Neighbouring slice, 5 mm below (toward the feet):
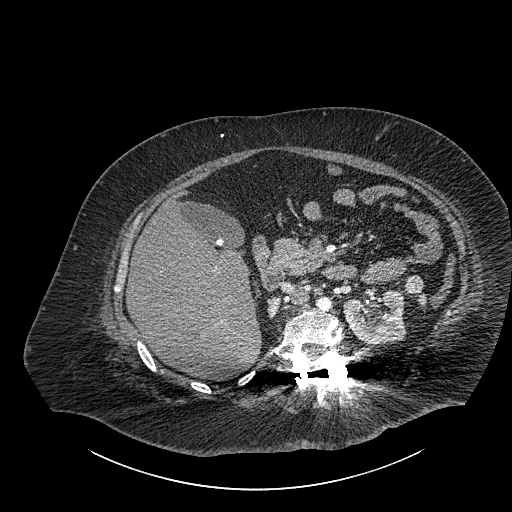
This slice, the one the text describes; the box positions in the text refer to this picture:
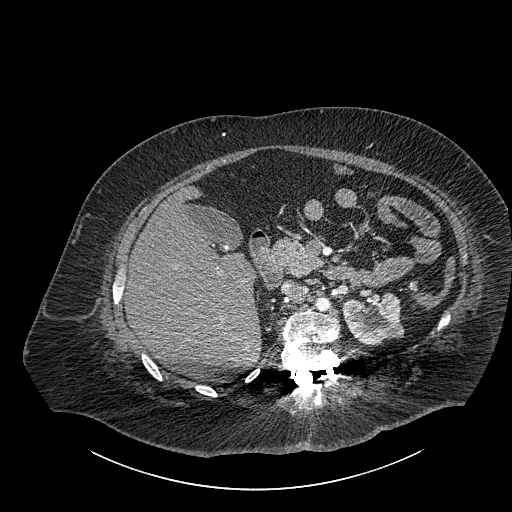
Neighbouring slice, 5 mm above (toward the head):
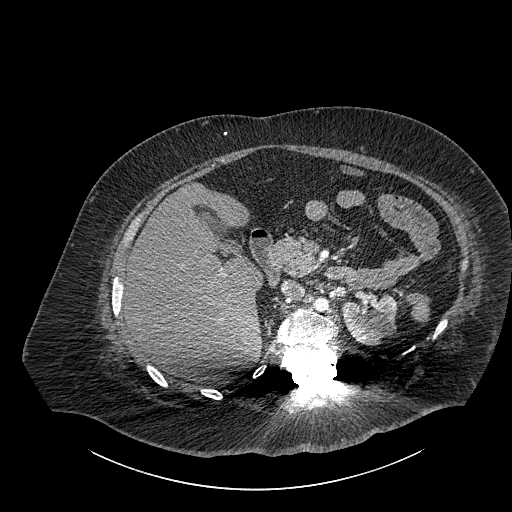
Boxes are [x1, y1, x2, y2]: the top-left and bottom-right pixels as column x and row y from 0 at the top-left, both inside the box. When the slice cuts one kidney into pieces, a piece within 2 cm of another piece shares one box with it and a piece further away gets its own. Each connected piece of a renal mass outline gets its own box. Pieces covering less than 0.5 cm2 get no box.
This is axial slice 583 of 834 (slice 1 is the lowest) of an abdominal CT with contrast; each pixel is 0.977 mm and the slice is 1.00 mm thick. One kidney box and one renal mass box on this slice; by box centre, from the image's left to its right: (1) Left part of the midline-crossing kidney at [342, 291, 403, 344] (outlined area 2,497 px, about 23.8 cm2). (2) Renal mass, box [411, 280, 417, 289] (outlined area 59 px, about 0.6 cm2); here it is more than 1 cm from any kidney outline, though on another slice the same outlined renal mass lies within 1 cm of the kidney. This slice lies near the end of a renal mass toward the head; the slices 5 mm below and 5 mm above it are shown too, and the boxes mark positions on this slice only.
Tube voltage 140 kVp; convolution kernel I30f.